Axial slice 25 of 96 of a contrast-enhanced abdominal CT in the arterial phase (slice 1 is the lowest), 130 kVp, kernel B30s; 3.00 mm slice thickness and 0.781 mm pixels.
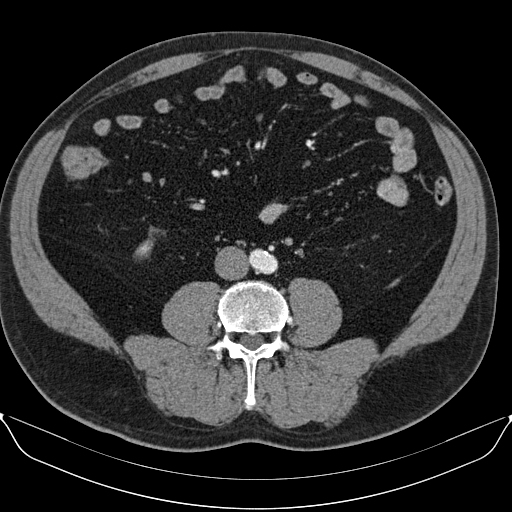
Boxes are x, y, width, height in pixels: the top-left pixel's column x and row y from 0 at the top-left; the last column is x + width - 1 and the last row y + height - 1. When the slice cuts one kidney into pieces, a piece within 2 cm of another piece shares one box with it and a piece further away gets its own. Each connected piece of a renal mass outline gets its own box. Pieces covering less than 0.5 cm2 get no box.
Right kidney at x 136, y 239, width 18, height 19 (outlined area 221 px, about 1.3 cm2). This slice carries no renal mass outline.